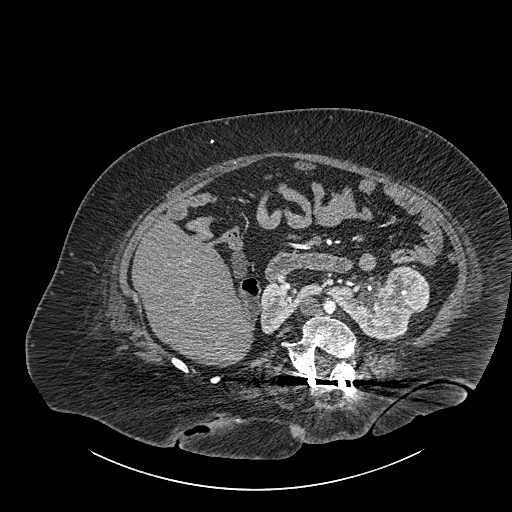
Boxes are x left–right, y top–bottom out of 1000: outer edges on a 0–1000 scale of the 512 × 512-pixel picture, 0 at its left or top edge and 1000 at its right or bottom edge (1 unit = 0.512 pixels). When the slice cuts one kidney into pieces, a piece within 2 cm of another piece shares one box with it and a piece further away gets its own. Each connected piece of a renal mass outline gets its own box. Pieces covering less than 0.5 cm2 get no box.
This is axial slice 522 of 834 (slice 1 is the lowest) of an abdominal CT with contrast; each pixel is 0.977 mm and the slice is 1.00 mm thick. Two kidney boxes and one renal mass box on this slice; by box centre, from the image's left to its right: (1) Right part of the midline-crossing kidney at x 508–637, y 551–654 out of 1000 (outlined area 1,609 px, about 15.3 cm2). (2) Box x 641–805, y 557–666 out of 1000: left part of the midline-crossing kidney (outlined area 2,717 px, about 25.9 cm2). (3) Renal mass, box x 750–840, y 520–613 out of 1000 (outlined area 1,781 px, about 17.0 cm2).
Acquired at 140 kVp and reconstructed with the I30f kernel.